Axial slice 276 of 723 of a contrast-enhanced abdominal CT in the arterial phase (slice 1 is the lowest), 120 kVp, kernel B30f; 1.00 mm slice thickness and 0.895 mm pixels.
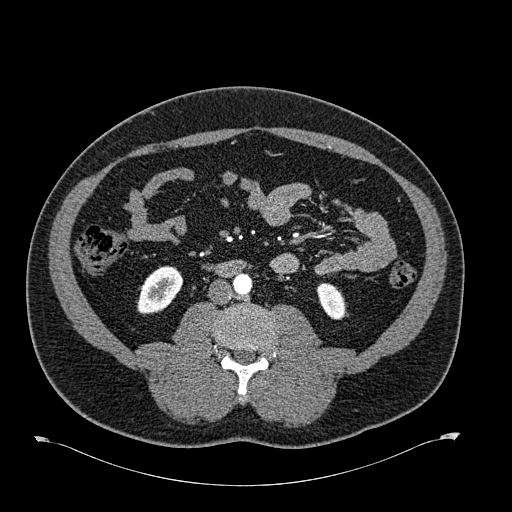
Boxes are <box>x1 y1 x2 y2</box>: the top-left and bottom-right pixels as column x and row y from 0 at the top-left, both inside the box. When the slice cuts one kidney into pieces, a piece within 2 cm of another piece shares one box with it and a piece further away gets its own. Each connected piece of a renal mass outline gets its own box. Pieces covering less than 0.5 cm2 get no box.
Two kidney boxes on this slice; by box centre, from the image's left to its right: (1) Right kidney at <box>137 266 183 314</box> (outlined area 1,577 px, about 12.6 cm2). (2) At <box>316 283 346 319</box>: left kidney (outlined area 812 px, about 6.5 cm2). No renal mass outline on this slice.